Abdominal CT with intravenous contrast, arterial phase, axial plane, 120 kVp, kernel I40f. Slice 52/86 from the bottom of the scan; thickness 5.00 mm; pixel size 0.977 mm.
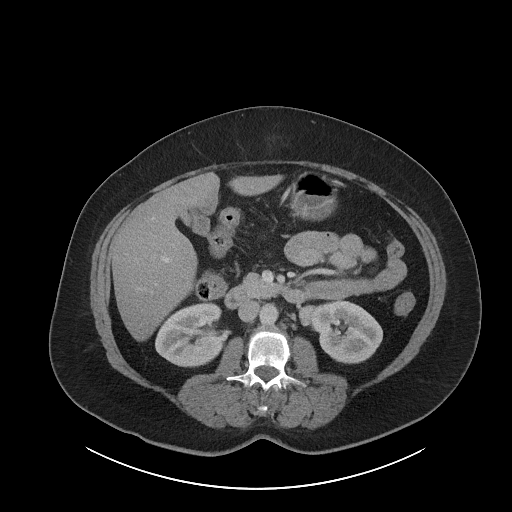
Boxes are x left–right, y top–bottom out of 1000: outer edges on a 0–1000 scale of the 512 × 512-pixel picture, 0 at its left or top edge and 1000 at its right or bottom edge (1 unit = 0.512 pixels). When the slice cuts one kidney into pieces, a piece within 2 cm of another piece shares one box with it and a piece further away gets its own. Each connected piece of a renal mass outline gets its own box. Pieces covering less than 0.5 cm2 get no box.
Two kidney boxes and one renal mass box on this slice; by box centre, from the image's left to its right: (1) Box x 303–436, y 590–719 out of 1000: right kidney (outlined area 3,463 px, about 33.0 cm2). (2) Left renal mass, box x 584–617, y 596–639 out of 1000 (outlined area 263 px, about 2.5 cm2). (3) Box x 607–748, y 586–711 out of 1000: left kidney (outlined area 3,399 px, about 32.4 cm2).